Contrast-enhanced abdominal CT, axial slice 50 of 88 (counted from the lowest slice); tube voltage 100 kVp, convolution kernel I40f; slices 5.00 mm thick, 0.674 mm per pixel.
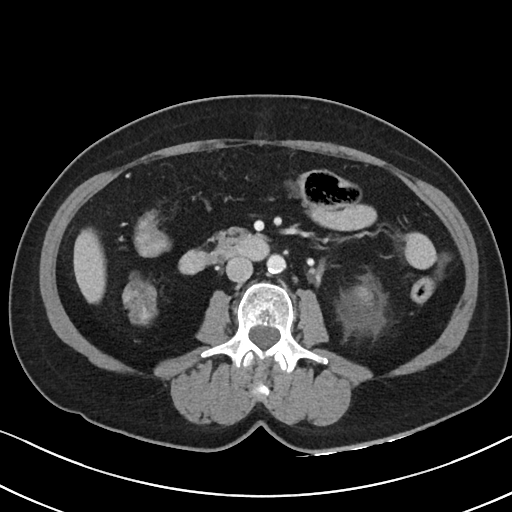
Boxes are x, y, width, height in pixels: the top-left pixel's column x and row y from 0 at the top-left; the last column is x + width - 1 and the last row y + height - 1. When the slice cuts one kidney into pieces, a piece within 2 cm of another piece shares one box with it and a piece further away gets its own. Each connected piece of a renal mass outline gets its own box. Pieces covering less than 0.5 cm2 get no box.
Box x 355, y 287, width 15, height 9: left kidney (outlined area 114 px, about 0.5 cm2). No renal mass outline on this slice.